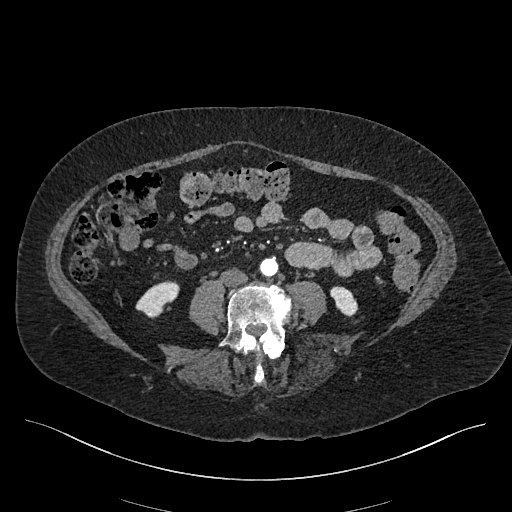
One axial slice (153 of 548, counting up from the lowest) of an arterial-phase abdominal CT acquired with 120 kVp, kernel I26f; each pixel is 0.852 mm and the slice is 1.00 mm thick.
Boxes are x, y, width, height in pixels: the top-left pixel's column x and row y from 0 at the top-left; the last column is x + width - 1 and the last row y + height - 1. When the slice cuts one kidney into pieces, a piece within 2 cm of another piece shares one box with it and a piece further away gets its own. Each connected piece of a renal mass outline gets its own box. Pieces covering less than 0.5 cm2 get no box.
Two kidney boxes on this slice; by box centre, from the image's left to its right: (1) Box x 135, y 281, width 45, height 38: right kidney (outlined area 994 px, about 7.2 cm2). (2) Box x 330, y 286, width 29, height 31: left kidney (outlined area 583 px, about 4.2 cm2). No renal mass outline on this slice.